One axial slice (679 of 987, counting up from the lowest) of an arterial-phase abdominal CT acquired with 120 kVp, kernel I26f; each pixel is 0.977 mm and the slice is 1.00 mm thick.
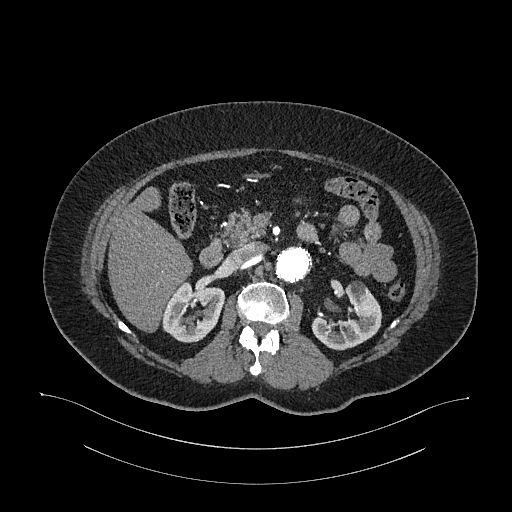
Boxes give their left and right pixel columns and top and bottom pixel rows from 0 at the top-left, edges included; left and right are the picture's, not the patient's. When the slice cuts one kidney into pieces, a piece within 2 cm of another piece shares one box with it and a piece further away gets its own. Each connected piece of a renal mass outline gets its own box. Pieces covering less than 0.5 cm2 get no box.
Boxed on this slice (two kidney boxes), listed by box centre from the image's left to its right: (1) Box with left 162, top 280, right 225, bottom 342: right kidney (outlined area 2,812 px, about 26.8 cm2). (2) Left kidney in the box with left 311, top 281, right 382, bottom 350 (outlined area 2,949 px, about 28.1 cm2). No renal mass outline on this slice.